Axial slice 72 of 92 of a contrast-enhanced abdominal CT (slice 1 is the lowest), 120 kVp, kernel B30f; 5.00 mm slice thickness and 0.918 mm pixels.
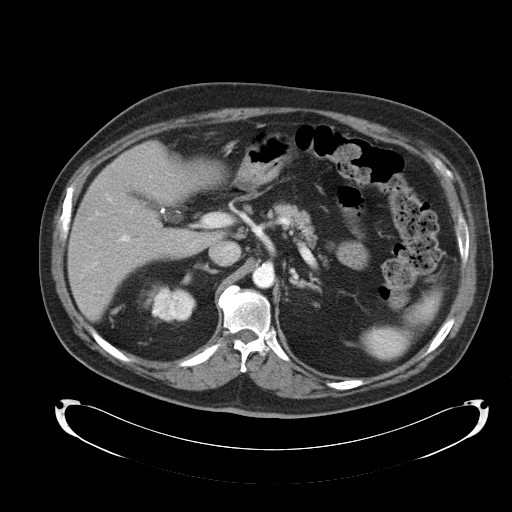
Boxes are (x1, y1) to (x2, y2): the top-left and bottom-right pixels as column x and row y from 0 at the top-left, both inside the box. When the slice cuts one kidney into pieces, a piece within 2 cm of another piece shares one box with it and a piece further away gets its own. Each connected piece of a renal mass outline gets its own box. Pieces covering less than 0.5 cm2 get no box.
Box (144, 283) to (196, 322): right kidney (outlined area 1,537 px, about 13.0 cm2). No renal mass outline on this slice.